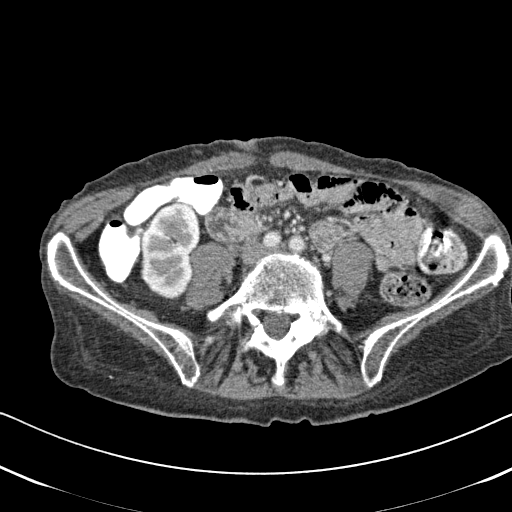
One axial slice (226 of 620, counting up from the lowest) of an arterial-phase abdominal CT acquired with 120 kVp, kernel B31f; each pixel is 0.637 mm and the slice is 2.00 mm thick.
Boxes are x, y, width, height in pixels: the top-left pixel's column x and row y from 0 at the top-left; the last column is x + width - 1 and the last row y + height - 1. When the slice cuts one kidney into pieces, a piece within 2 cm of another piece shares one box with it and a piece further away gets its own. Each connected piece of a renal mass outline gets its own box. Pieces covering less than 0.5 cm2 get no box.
Right kidney at x 140, y 203, width 64, height 97 (outlined area 4,683 px, about 19.0 cm2). No renal mass outline on this slice.